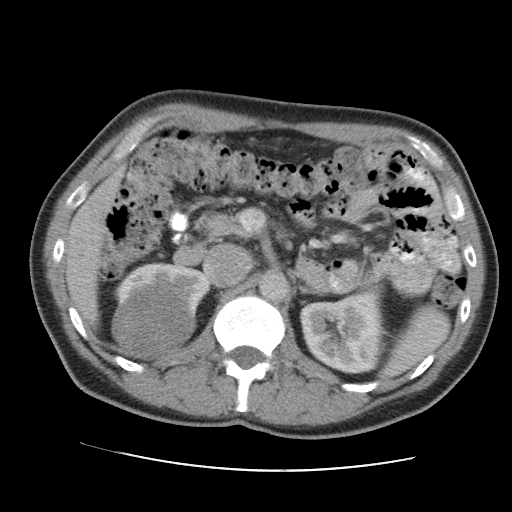
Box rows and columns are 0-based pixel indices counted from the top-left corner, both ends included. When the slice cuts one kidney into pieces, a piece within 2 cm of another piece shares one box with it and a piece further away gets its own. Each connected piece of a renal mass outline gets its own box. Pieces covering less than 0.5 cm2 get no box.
Arterial-phase contrast-enhanced abdominal CT, axial slice 75 of 105 (counted from the lowest slice); 5.00 mm thick, 0.707 mm per pixel. Two kidney boxes and one renal mass box on this slice; by box centre, from the image's left to its right: (1) Right renal mass, box rows 279–356, columns 111–196 (outlined area 5,129 px, about 25.6 cm2). (2) Right kidney, box rows 262–314, columns 117–209 (outlined area 2,009 px, about 10.0 cm2). (3) Left kidney, box rows 291–374, columns 299–385 (outlined area 5,571 px, about 27.8 cm2).
Scan settings: 120 kVp, STANDARD reconstruction kernel.